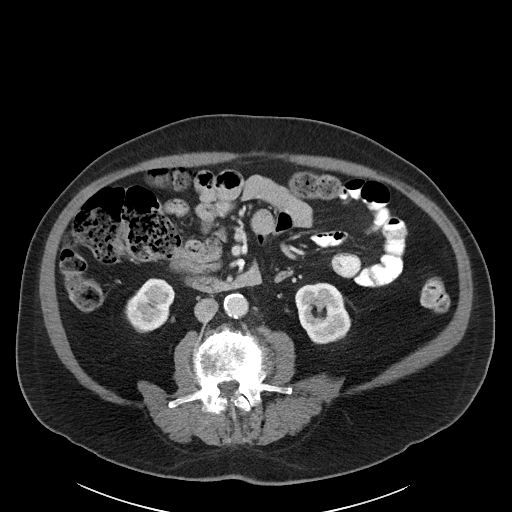
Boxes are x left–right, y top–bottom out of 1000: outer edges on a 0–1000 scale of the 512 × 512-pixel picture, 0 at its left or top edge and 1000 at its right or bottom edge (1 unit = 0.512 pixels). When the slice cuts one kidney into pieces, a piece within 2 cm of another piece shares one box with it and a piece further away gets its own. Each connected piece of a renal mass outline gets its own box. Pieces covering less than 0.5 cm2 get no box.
Arterial-phase contrast-enhanced abdominal CT, axial slice 53 of 89 (counted from the lowest slice); 5.00 mm thick, 0.885 mm per pixel. Boxed on this slice (two kidney boxes), listed by box centre from the image's left to its right: (1) Box x 242–344, y 543–650 out of 1000: right kidney (outlined area 1,969 px, about 15.4 cm2). (2) Box x 576–688, y 551–674 out of 1000: left kidney (outlined area 2,648 px, about 20.7 cm2). No renal mass outline on this slice.
Tube voltage 100 kVp; convolution kernel I40f.